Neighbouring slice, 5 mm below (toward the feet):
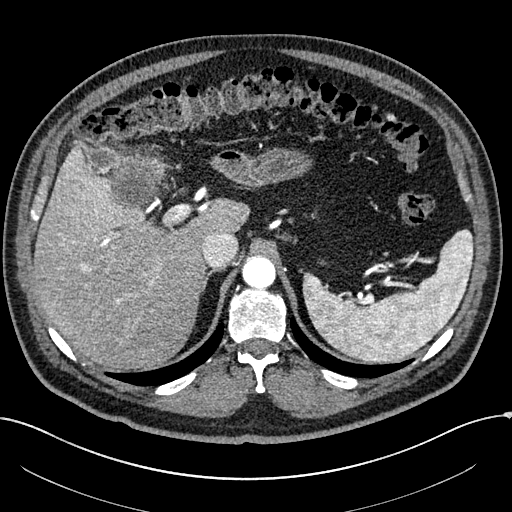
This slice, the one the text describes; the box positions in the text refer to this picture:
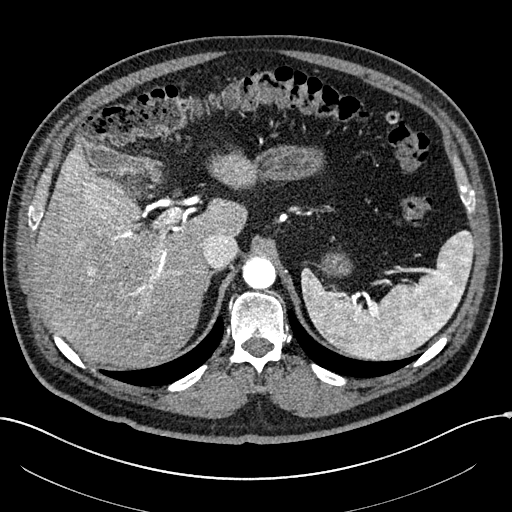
Axial slice 199 of 304 of a contrast-enhanced abdominal CT in the arterial phase (slice 1 is the lowest), 100 kVp, kernel I30f; 2.00 mm slice thickness and 0.809 mm pixels.
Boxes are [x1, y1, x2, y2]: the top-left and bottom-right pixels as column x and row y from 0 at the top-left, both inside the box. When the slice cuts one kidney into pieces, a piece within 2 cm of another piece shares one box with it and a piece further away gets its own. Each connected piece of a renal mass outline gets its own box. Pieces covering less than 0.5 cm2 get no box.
Right renal mass, box [125, 169, 145, 198] (outlined area 451 px, about 2.9 cm2); this slice has no kidney outline, though on another slice the same outlined renal mass lies within 1 cm of the kidney. This slice is near the end of the right renal mass toward the head, so the slice 5 mm below it is shown as well; the boxes refer to this slice only.